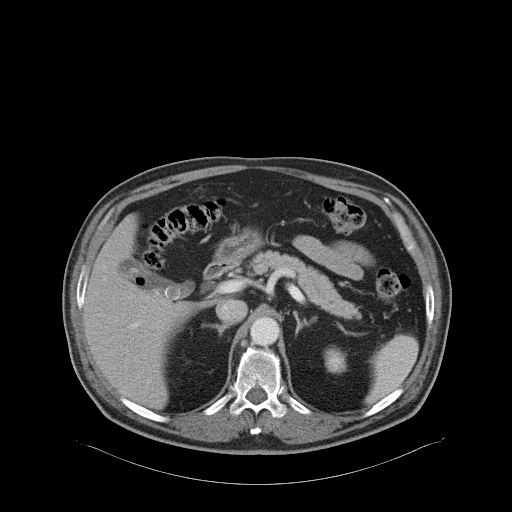
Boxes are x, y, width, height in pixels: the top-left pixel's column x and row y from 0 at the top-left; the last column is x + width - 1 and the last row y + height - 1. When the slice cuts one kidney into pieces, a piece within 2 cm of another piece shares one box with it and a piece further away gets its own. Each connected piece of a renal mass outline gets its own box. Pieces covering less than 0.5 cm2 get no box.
This is axial slice 59 of 68 (slice 1 is the lowest) of an arterial-phase abdominal CT with contrast; each pixel is 0.961 mm and the slice is 5.00 mm thick. Box x 324, y 345, width 23, height 29: left kidney (outlined area 522 px, about 4.8 cm2). No renal mass is outlined on this slice.
Scan settings: 120 kVp, B31f reconstruction kernel.